One axial slice (258 of 445, counting up from the lowest) of an arterial-phase abdominal CT acquired with 120 kVp, kernel STANDARD; each pixel is 0.863 mm and the slice is 1.25 mm thick.
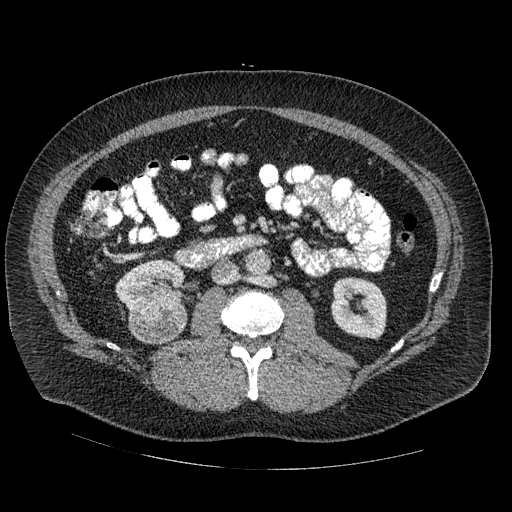
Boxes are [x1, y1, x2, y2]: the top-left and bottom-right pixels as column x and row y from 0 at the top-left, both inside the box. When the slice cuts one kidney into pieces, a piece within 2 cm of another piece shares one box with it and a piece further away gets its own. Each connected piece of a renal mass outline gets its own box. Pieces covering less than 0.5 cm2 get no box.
Two kidney boxes and one renal mass box on this slice; by box centre, from the image's left to its right: (1) Right kidney at [115, 259, 187, 312] (outlined area 2,722 px, about 20.3 cm2). (2) Right renal mass at [128, 302, 188, 343] (outlined area 2,017 px, about 15.0 cm2). (3) Box [331, 277, 387, 339]: left kidney (outlined area 2,775 px, about 20.7 cm2).